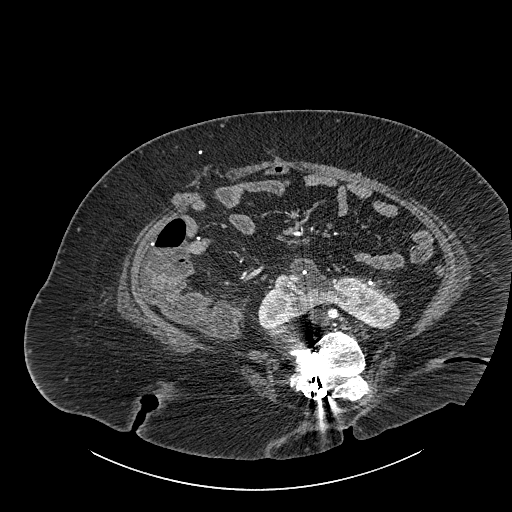
Contrast-enhanced abdominal CT, axial slice 459 of 834 (counted from the lowest slice); tube voltage 140 kVp, convolution kernel I30f; slices 1.00 mm thick, 0.977 mm per pixel.
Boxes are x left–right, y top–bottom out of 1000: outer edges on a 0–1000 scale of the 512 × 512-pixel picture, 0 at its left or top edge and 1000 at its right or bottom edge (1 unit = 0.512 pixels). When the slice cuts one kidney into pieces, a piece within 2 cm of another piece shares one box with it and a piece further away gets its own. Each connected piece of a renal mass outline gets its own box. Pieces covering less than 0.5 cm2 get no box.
Box x 502–783, y 504–645 out of 1000: kidney crossing the body midline (outlined area 5,614 px, about 53.5 cm2). No renal mass is outlined on this slice.